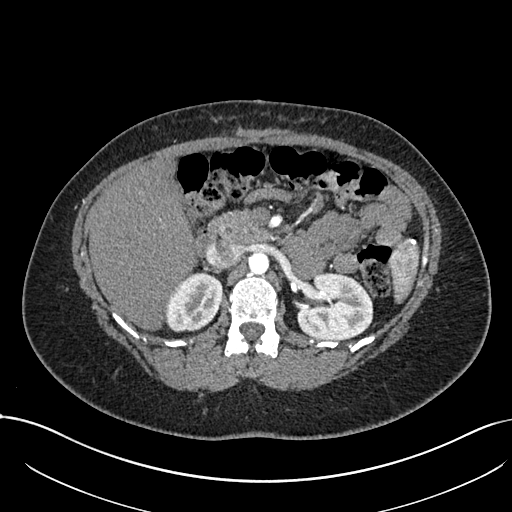
One axial slice (468 of 738, counting up from the lowest) of an arterial-phase abdominal CT acquired with 120 kVp, kernel I30f; each pixel is 0.789 mm and the slice is 1.00 mm thick.
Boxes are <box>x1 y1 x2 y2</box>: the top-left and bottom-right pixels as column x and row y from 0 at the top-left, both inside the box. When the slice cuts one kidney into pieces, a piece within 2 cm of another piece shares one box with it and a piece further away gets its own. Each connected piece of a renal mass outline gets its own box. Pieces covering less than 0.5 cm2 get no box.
Two boxes on this slice (two kidney boxes), listed by box centre from the image's left to its right. (1) At <box>164 272 221 332</box>: right kidney (outlined area 2,629 px, about 16.4 cm2). (2) At <box>296 272 373 340</box>: left kidney (outlined area 4,114 px, about 25.6 cm2). No renal mass is outlined on this slice.